Axial slice 65 of 326 of a contrast-enhanced abdominal CT in the arterial phase (slice 1 is the lowest), 120 kVp, kernel B31f; 2.00 mm slice thickness and 0.963 mm pixels.
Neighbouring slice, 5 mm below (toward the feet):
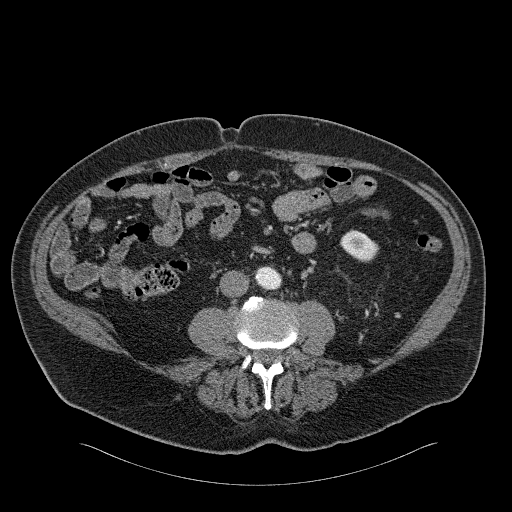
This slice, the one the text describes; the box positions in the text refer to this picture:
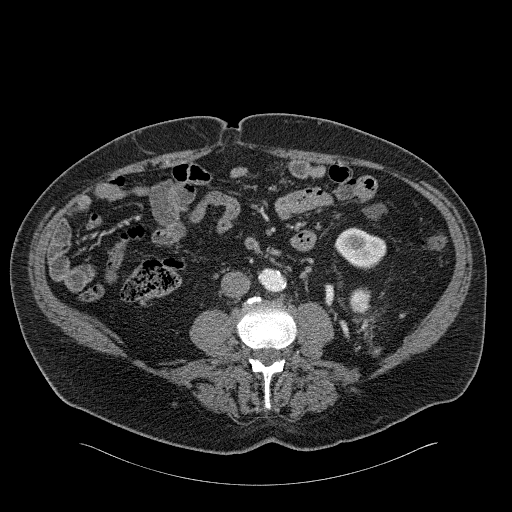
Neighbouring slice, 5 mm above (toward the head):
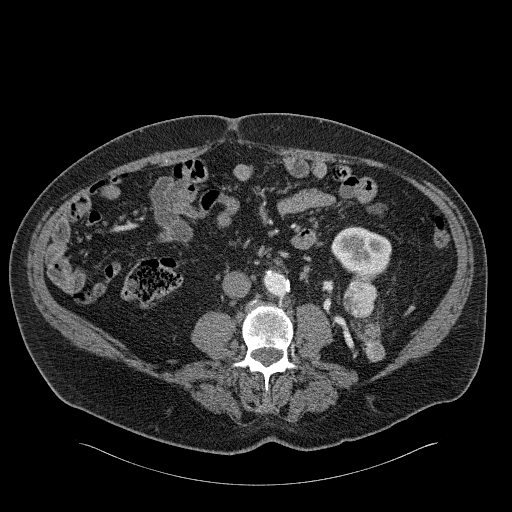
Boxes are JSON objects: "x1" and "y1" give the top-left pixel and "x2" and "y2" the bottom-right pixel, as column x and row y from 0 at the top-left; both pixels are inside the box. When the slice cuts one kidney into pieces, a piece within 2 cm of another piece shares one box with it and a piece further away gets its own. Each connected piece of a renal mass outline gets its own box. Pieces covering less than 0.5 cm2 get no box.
One kidney box and one renal mass box on this slice; by box centre, from the image's left to its right: (1) Left renal mass, box {"x1": 349, "y1": 288, "x2": 370, "y2": 312} (outlined area 452 px, about 4.2 cm2); it sits over 1 cm from every kidney outline on this slice, but the same outlined renal mass comes within 1 cm of the kidney on another slice. (2) Left kidney at {"x1": 334, "y1": 227, "x2": 386, "y2": 268} (outlined area 1,545 px, about 14.3 cm2). This slice lies near the end of the left renal mass toward the feet; the slices 5 mm below and 5 mm above it are shown too, and the boxes mark positions on this slice only.